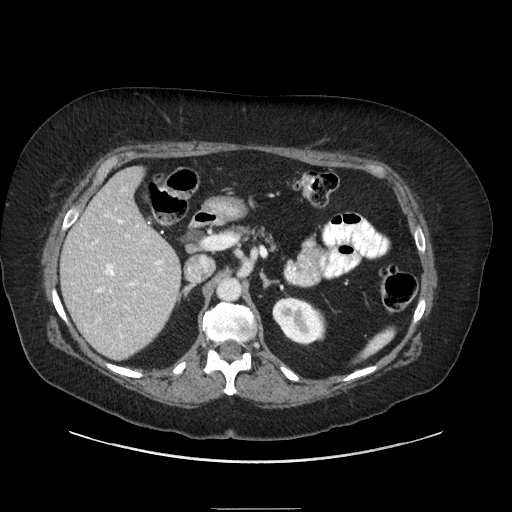
Contrast-enhanced abdominal CT, axial slice 142 of 186 (counted from the lowest slice); tube voltage 120 kVp, convolution kernel STANDARD; slices 2.50 mm thick, 0.850 mm per pixel.
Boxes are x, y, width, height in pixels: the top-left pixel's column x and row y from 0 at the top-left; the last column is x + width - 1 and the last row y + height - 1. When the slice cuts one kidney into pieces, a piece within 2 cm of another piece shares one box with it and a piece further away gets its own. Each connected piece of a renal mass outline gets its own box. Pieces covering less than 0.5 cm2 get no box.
Box x 272, y 296, width 55, height 50: left kidney (outlined area 1,942 px, about 14.0 cm2). No renal mass outline on this slice.